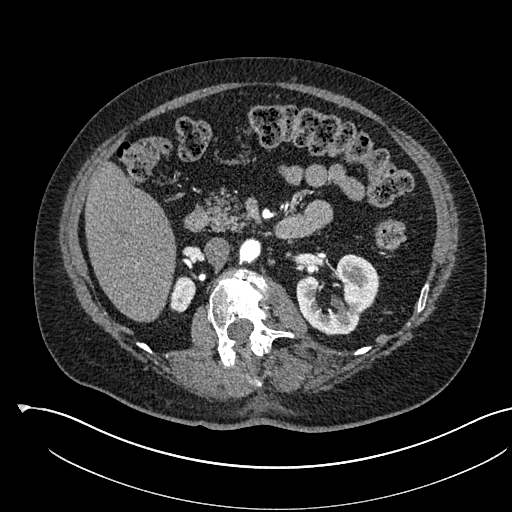
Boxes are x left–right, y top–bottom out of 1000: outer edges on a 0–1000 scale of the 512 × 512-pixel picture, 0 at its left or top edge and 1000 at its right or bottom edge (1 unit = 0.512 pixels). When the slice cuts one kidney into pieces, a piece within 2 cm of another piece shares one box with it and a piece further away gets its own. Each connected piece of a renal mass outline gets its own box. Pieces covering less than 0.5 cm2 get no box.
Slice 336/541 of a contrast-enhanced abdominal CT in the arterial phase, counting up from the lowest; pixel size 0.834 mm, slice thickness 1.00 mm. Two boxes on this slice (two kidney boxes), listed by box centre from the image's left to its right. (1) Right kidney at x 332–385, y 539–611 out of 1000 (outlined area 714 px, about 5.0 cm2). (2) Left kidney, box x 578–742, y 496–654 out of 1000 (outlined area 4,265 px, about 29.7 cm2). No renal mass is outlined on this slice.
Tube voltage 120 kVp; convolution kernel I30f.